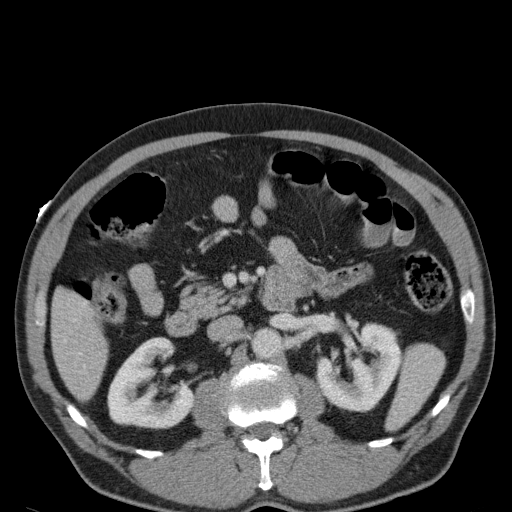
Contrast-enhanced abdominal CT, axial slice 68 of 107 (counted from the lowest slice); tube voltage 120 kVp, convolution kernel B31f; slices 5.00 mm thick, 0.730 mm per pixel.
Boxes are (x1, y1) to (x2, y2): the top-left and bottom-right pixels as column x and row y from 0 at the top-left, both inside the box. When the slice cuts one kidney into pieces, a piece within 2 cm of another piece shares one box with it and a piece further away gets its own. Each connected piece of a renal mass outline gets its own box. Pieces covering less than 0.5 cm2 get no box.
Two boxes on this slice (two kidney boxes), listed by box centre from the image's left to its right. (1) Right kidney, box (107, 337) to (194, 429) (outlined area 5,320 px, about 28.4 cm2). (2) Left kidney from (316, 322) to (400, 412) (outlined area 5,074 px, about 27.1 cm2). This slice carries no renal mass outline.